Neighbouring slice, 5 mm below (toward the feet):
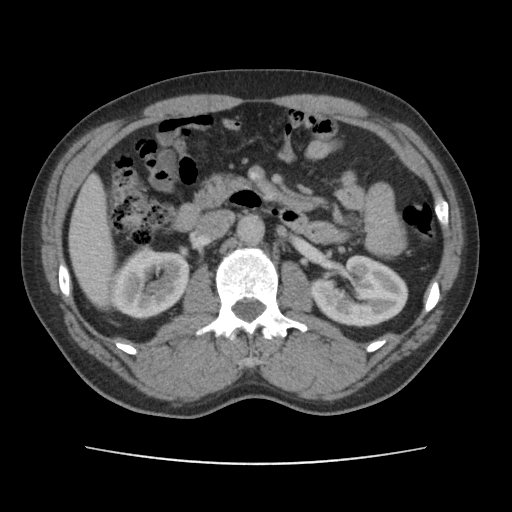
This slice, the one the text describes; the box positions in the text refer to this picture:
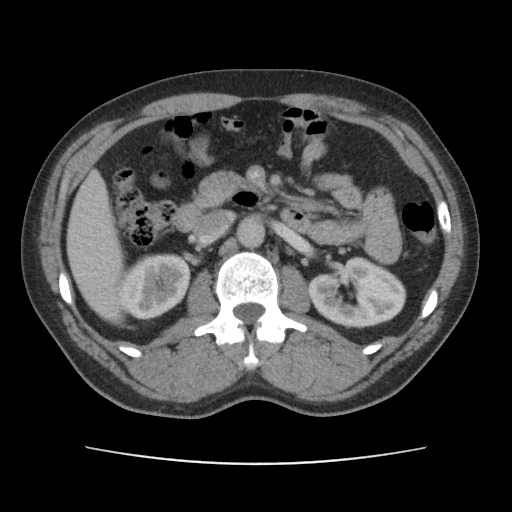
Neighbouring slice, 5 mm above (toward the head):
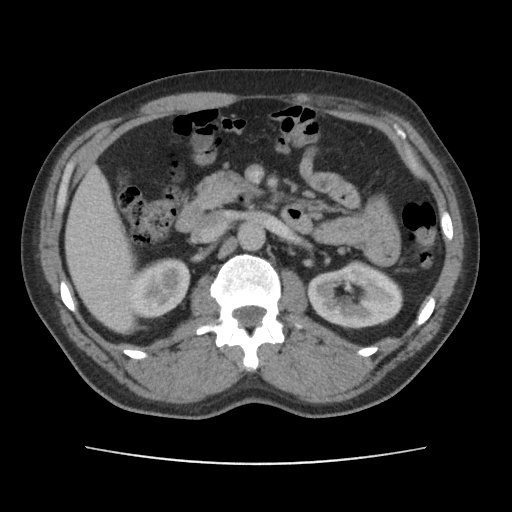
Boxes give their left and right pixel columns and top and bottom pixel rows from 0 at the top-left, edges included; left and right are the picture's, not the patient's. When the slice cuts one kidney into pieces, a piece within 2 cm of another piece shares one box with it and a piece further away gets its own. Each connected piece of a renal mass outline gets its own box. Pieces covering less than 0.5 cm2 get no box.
Slice 69/101 of a contrast-enhanced abdominal CT in the arterial phase, counting up from the lowest; pixel size 0.755 mm, slice thickness 5.00 mm. Two kidney boxes and one renal mass box on this slice; by box centre, from the image's left to its right: (1) Right renal mass, the box with left 117, top 275, right 140, bottom 305 (outlined area 557 px, about 3.2 cm2). (2) Right kidney, the box with left 121, top 253, right 190, bottom 320 (outlined area 3,191 px, about 18.2 cm2). (3) Left kidney in the box with left 308, top 256, right 406, bottom 328 (outlined area 5,042 px, about 28.7 cm2). This slice lies near the end of the right renal mass toward the head; the slices 5 mm below and 5 mm above it are shown too, and the boxes mark positions on this slice only.
Tube voltage 120 kVp; convolution kernel FC14.